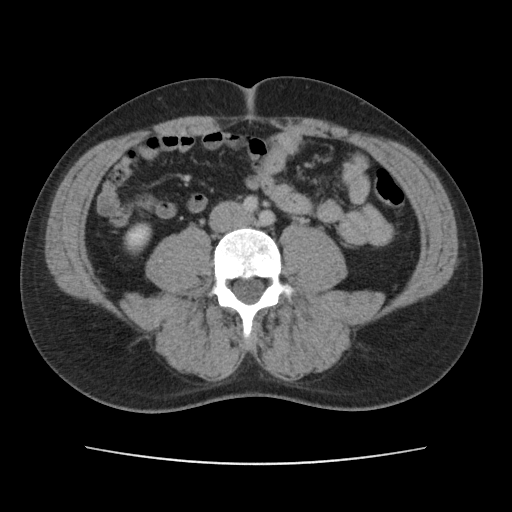
Abdominal CT with intravenous contrast, arterial phase, axial plane, 120 kVp, kernel FC14. Slice 53/101 from the bottom of the scan; thickness 5.00 mm; pixel size 0.755 mm.
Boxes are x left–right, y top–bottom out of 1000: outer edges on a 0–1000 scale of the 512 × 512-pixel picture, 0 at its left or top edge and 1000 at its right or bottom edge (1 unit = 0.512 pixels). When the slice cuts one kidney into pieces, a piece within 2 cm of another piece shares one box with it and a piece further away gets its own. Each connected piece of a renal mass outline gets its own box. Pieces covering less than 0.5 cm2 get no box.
Right kidney at x 240–297, y 434–498 out of 1000 (outlined area 677 px, about 3.9 cm2). No renal mass is outlined on this slice.